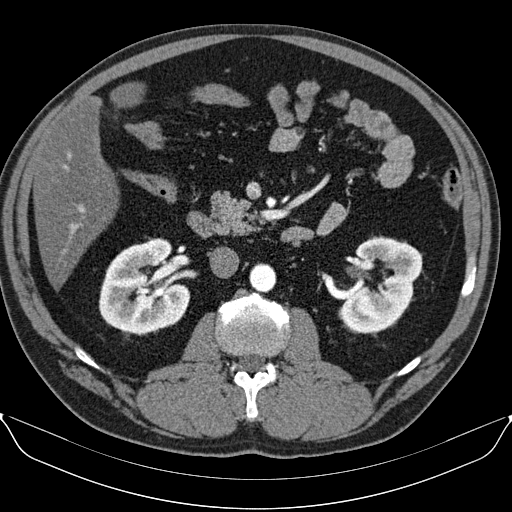
One axial slice (49 of 96, counting up from the lowest) of an arterial-phase abdominal CT acquired with 130 kVp, kernel B30s; each pixel is 0.781 mm and the slice is 3.00 mm thick.
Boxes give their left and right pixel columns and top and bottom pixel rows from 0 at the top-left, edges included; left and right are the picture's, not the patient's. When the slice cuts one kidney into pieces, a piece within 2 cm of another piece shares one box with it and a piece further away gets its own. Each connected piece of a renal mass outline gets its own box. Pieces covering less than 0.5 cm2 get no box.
Two boxes on this slice (two kidney boxes), listed by box centre from the image's left to its right. (1) Box with left 99, top 238, right 190, bottom 334: right kidney (outlined area 6,555 px, about 40.0 cm2). (2) Left kidney, the box with left 337, top 236, right 422, bottom 336 (outlined area 5,693 px, about 34.7 cm2). No renal mass is outlined on this slice.